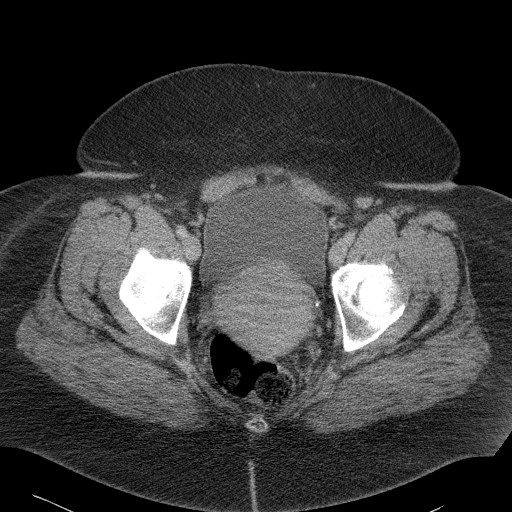
One axial slice (19 of 90, counting up from the lowest) of a contrast-enhanced abdominal CT acquired with 120 kVp, kernel B41f; each pixel is 0.781 mm and the slice is 5.00 mm thick.
Outside the outlined region: no kidney outline and no renal mass outline on this slice. The scan's outlines cover only kidneys and renal masses; no other organ is outlined.